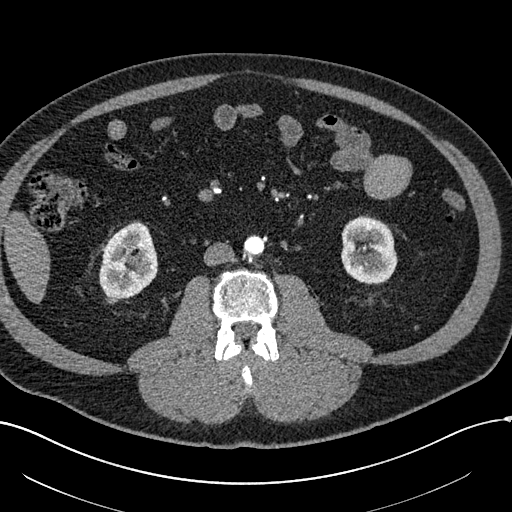
One axial slice (248 of 602, counting up from the lowest) of an arterial-phase abdominal CT acquired with 120 kVp, kernel I30f; each pixel is 0.799 mm and the slice is 1.00 mm thick.
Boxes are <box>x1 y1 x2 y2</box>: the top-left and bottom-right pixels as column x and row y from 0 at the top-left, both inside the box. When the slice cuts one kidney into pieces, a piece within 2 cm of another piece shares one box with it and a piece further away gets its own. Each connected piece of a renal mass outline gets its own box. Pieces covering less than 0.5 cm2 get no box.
Two kidney boxes and one renal mass box on this slice; by box centre, from the image's left to its right: (1) Right renal mass at <box>105 295 118 304</box> (outlined area 98 px, about 0.6 cm2). (2) At <box>99 221 157 299</box>: right kidney (outlined area 3,447 px, about 22.0 cm2). (3) At <box>341 215 397 284</box>: left kidney (outlined area 3,165 px, about 20.2 cm2).